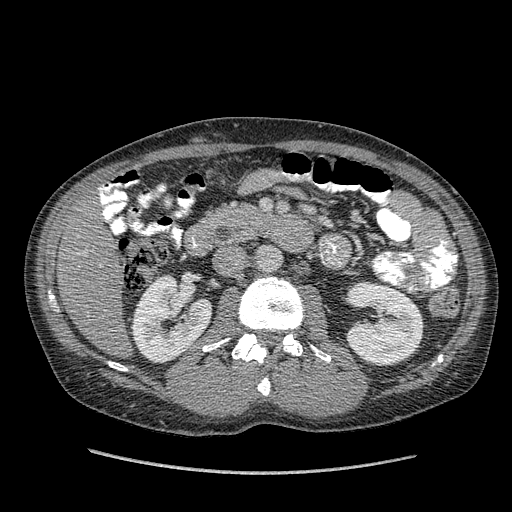
Axial slice 207 of 349 of a contrast-enhanced abdominal CT in the arterial phase (slice 1 is the lowest), 120 kVp, kernel STANDARD; 1.25 mm slice thickness and 0.742 mm pixels.
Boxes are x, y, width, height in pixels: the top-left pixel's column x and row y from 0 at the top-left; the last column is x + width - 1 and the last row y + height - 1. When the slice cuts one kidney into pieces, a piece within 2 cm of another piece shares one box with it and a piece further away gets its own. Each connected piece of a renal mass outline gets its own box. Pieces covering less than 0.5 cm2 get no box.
Boxed on this slice (two kidney boxes), listed by box centre from the image's left to its right: (1) Right kidney at x 131, y 274, width 83, height 90 (outlined area 5,156 px, about 28.4 cm2). (2) Left kidney, box x 343, y 282, width 82, height 85 (outlined area 5,037 px, about 27.7 cm2). No renal mass is outlined on this slice.